Abdominal CT with intravenous contrast, axial plane, 100 kVp, kernel I30f. Slice 130/269 from the bottom of the scan; thickness 5.00 mm; pixel size 0.732 mm.
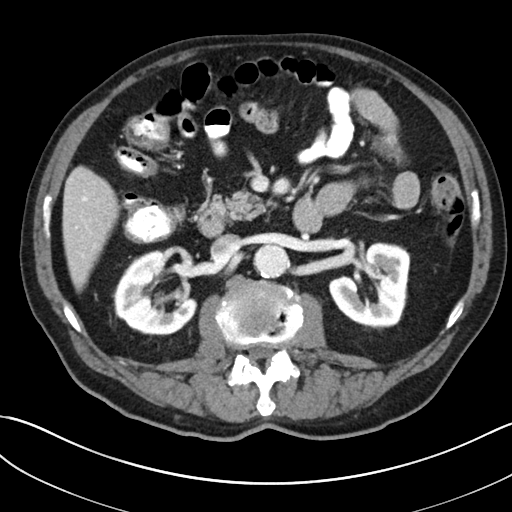
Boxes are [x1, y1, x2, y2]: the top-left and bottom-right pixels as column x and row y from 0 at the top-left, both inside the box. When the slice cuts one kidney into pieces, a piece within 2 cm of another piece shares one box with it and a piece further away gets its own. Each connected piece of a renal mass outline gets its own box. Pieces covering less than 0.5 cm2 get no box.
Two boxes on this slice (two kidney boxes), listed by box centre from the image's left to its right. (1) Right kidney at [114, 250, 196, 334] (outlined area 4,678 px, about 25.1 cm2). (2) Left kidney, box [328, 242, 410, 329] (outlined area 4,911 px, about 26.3 cm2). No renal mass is outlined on this slice.